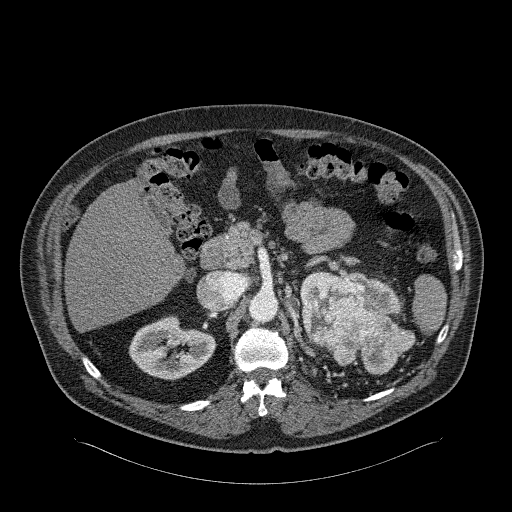
Arterial-phase contrast-enhanced abdominal CT, axial slice 162 of 326 (counted from the lowest slice); tube voltage 120 kVp, convolution kernel B31f; slices 2.00 mm thick, 0.963 mm per pixel.
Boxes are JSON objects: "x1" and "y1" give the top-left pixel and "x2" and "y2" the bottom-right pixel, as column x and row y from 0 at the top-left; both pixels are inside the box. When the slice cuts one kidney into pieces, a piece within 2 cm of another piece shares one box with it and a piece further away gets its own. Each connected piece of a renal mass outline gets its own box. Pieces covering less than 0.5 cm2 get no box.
Two kidney boxes and one renal mass box on this slice; by box centre, from the image's left to its right: (1) Box {"x1": 129, "y1": 315, "x2": 216, "y2": 380}: right kidney (outlined area 3,798 px, about 35.2 cm2). (2) Box {"x1": 300, "y1": 271, "x2": 401, "y2": 315}: left kidney (outlined area 1,563 px, about 14.5 cm2). (3) Box {"x1": 301, "y1": 276, "x2": 415, "y2": 375}: left renal mass (outlined area 6,700 px, about 62.1 cm2).